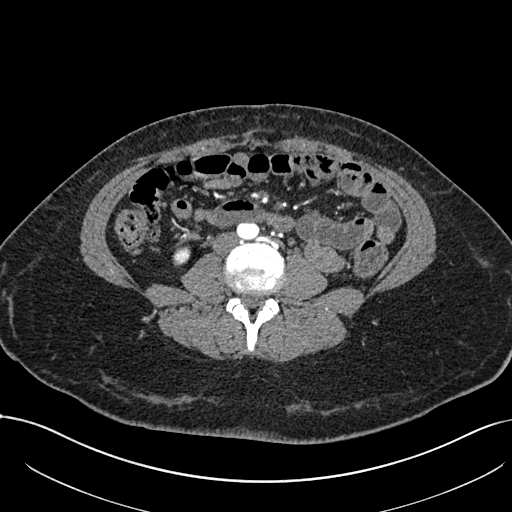
Axial slice 303 of 738 of a contrast-enhanced abdominal CT in the arterial phase (slice 1 is the lowest), 120 kVp, kernel I30f; 1.00 mm slice thickness and 0.789 mm pixels.
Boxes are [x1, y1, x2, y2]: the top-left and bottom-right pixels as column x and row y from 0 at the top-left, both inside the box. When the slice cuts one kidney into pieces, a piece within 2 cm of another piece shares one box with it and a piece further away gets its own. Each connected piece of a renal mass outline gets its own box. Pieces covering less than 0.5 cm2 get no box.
Right kidney at [172, 246, 190, 266] (outlined area 290 px, about 1.8 cm2). No renal mass outline on this slice.